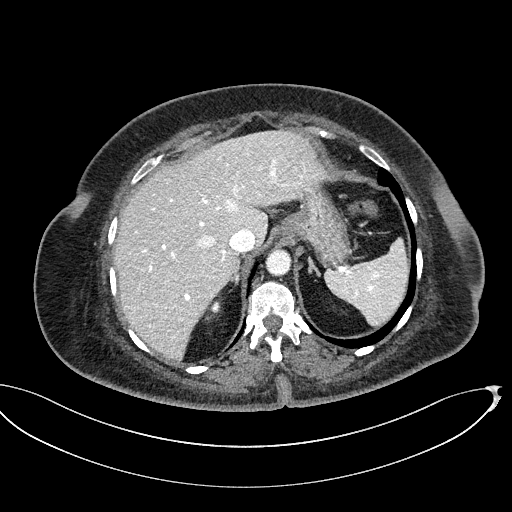
One axial slice (370 of 439, counting up from the lowest) of a contrast-enhanced abdominal CT acquired with 100 kVp, kernel I40f; each pixel is 0.850 mm and the slice is 2.00 mm thick.
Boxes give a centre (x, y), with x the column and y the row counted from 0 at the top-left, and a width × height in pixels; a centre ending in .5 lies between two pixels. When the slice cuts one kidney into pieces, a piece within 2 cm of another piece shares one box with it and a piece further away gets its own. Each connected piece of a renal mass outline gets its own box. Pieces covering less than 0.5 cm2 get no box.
Box centre (214.5, 310.5), 14 × 22 pixels: right kidney (outlined area 172 px, about 1.2 cm2). No renal mass is outlined on this slice.